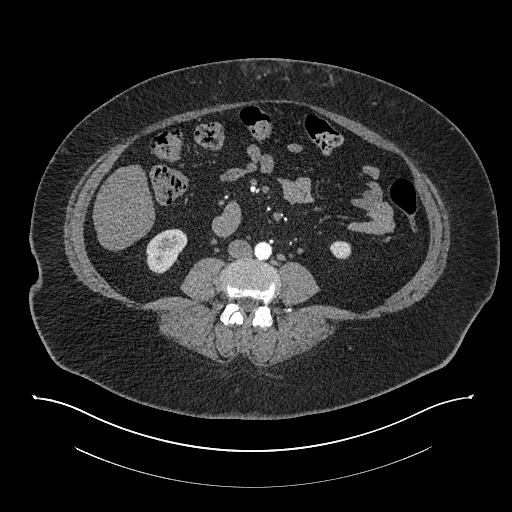
One axial slice (346 of 673, counting up from the lowest) of an arterial-phase abdominal CT acquired with 140 kVp, kernel I30f; each pixel is 0.957 mm and the slice is 1.00 mm thick.
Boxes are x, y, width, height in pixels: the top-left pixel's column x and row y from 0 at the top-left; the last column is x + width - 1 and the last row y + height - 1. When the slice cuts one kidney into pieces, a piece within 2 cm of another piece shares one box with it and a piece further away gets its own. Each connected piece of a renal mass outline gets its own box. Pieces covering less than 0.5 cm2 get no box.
Boxed on this slice (two kidney boxes), listed by box centre from the image's left to its right: (1) Box x 146, y 228, width 42, height 46: right kidney (outlined area 1,334 px, about 12.2 cm2). (2) Left kidney at x 329, y 240, width 23, height 20 (outlined area 334 px, about 3.1 cm2). This slice carries no renal mass outline.